One axial slice (91 of 129, counting up from the lowest) of an arterial-phase abdominal CT acquired with 140 kVp, kernel STANDARD; each pixel is 0.938 mm and the slice is 3.75 mm thick.
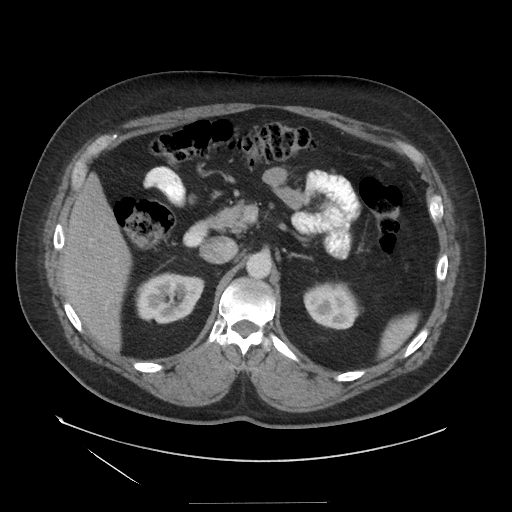
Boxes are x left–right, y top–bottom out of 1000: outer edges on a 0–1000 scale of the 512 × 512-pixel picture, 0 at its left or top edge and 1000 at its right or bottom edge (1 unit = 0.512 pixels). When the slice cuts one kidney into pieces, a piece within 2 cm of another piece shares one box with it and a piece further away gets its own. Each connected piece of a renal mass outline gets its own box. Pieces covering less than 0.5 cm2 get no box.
Two kidney boxes on this slice; by box centre, from the image's left to its right: (1) Right kidney at x 264–400, y 531–635 out of 1000 (outlined area 2,785 px, about 24.5 cm2). (2) Left kidney at x 592–707, y 551–645 out of 1000 (outlined area 2,128 px, about 18.7 cm2). No renal mass is outlined on this slice.